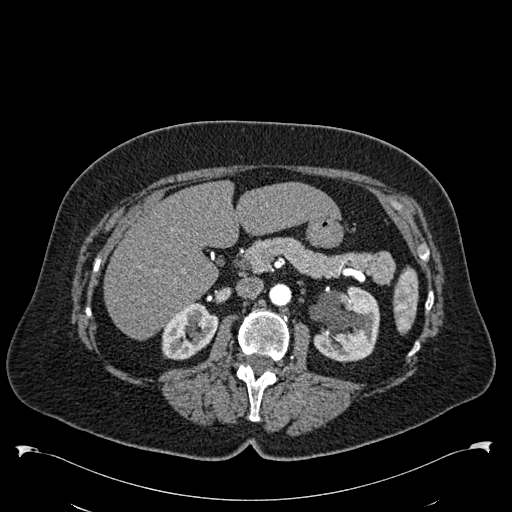
One axial slice (345 of 538, counting up from the lowest) of an arterial-phase abdominal CT acquired with 120 kVp, kernel B30f; each pixel is 0.811 mm and the slice is 1.00 mm thick.
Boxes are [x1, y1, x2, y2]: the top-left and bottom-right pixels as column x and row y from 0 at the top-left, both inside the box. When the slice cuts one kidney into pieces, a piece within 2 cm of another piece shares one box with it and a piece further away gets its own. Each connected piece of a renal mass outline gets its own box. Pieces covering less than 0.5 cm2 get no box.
Two kidney boxes on this slice; by box centre, from the image's left to its right: (1) Right kidney, box [161, 302, 218, 360] (outlined area 2,322 px, about 15.3 cm2). (2) Left kidney, box [310, 286, 379, 361] (outlined area 4,128 px, about 27.1 cm2). No renal mass is outlined on this slice.